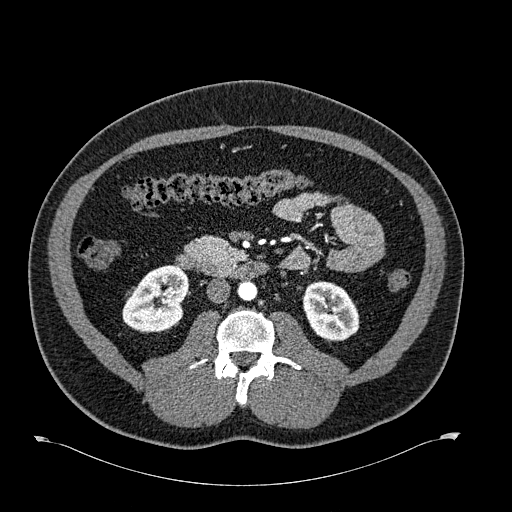
One axial slice (323 of 723, counting up from the lowest) of an arterial-phase abdominal CT acquired with 120 kVp, kernel B30f; each pixel is 0.895 mm and the slice is 1.00 mm thick.
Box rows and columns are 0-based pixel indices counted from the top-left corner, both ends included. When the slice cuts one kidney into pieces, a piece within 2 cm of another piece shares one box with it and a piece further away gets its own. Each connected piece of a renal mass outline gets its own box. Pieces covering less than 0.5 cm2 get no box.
Two kidney boxes on this slice; by box centre, from the image's left to its right: (1) Box rows 265–333, columns 122–187: right kidney (outlined area 3,330 px, about 26.6 cm2). (2) Left kidney, box rows 281–342, columns 302–359 (outlined area 2,645 px, about 21.2 cm2). No renal mass is outlined on this slice.